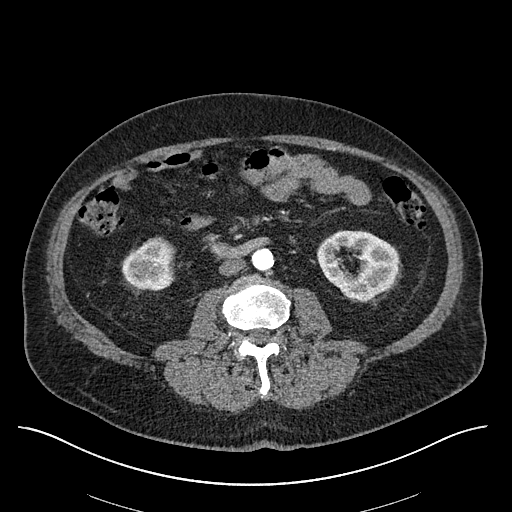
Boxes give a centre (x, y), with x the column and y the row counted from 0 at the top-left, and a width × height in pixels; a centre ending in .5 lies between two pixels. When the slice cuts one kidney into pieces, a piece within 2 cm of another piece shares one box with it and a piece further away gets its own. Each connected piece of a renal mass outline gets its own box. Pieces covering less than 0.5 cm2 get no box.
Slice 264/670 of a contrast-enhanced abdominal CT in the arterial phase, counting up from the lowest; pixel size 0.861 mm, slice thickness 1.00 mm. Two boxes on this slice (two kidney boxes), listed by box centre from the image's left to its right. (1) Right kidney, box centre (149, 263), 55 × 55 pixels (outlined area 2,237 px, about 16.6 cm2). (2) Left kidney in a box with centre (357.5, 265.5), 84 × 72 pixels (outlined area 4,209 px, about 31.2 cm2). This slice carries no renal mass outline.
Tube voltage 120 kVp; convolution kernel I30f.